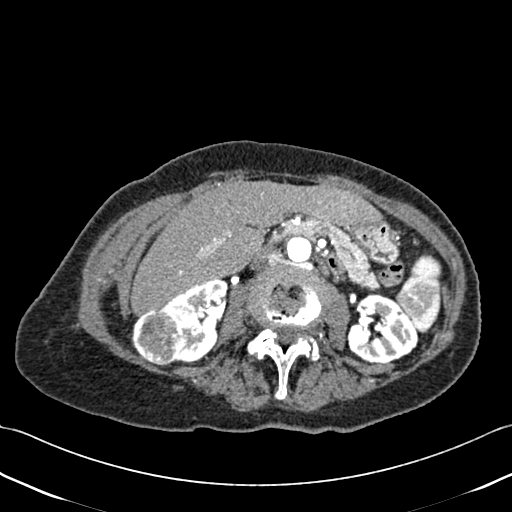
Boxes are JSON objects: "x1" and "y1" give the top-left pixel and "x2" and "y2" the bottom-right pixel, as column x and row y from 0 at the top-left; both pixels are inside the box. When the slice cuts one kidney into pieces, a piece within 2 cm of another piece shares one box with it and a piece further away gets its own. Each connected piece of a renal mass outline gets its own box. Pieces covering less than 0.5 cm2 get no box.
Slice 232/433 of a contrast-enhanced abdominal CT, counting up from the lowest; pixel size 0.672 mm, slice thickness 1.00 mm. Boxed on this slice (two kidney boxes and one renal mass box), listed by box centre from the image's left to its right: (1) Box {"x1": 131, "y1": 308, "x2": 181, "y2": 366}: right renal mass (outlined area 2,262 px, about 10.2 cm2). (2) Box {"x1": 163, "y1": 279, "x2": 228, "y2": 363}: right kidney (outlined area 3,357 px, about 15.2 cm2). (3) Left kidney at {"x1": 344, "y1": 293, "x2": 418, "y2": 363} (outlined area 3,656 px, about 16.5 cm2).
Acquired at 120 kVp and reconstructed with the B30f kernel.